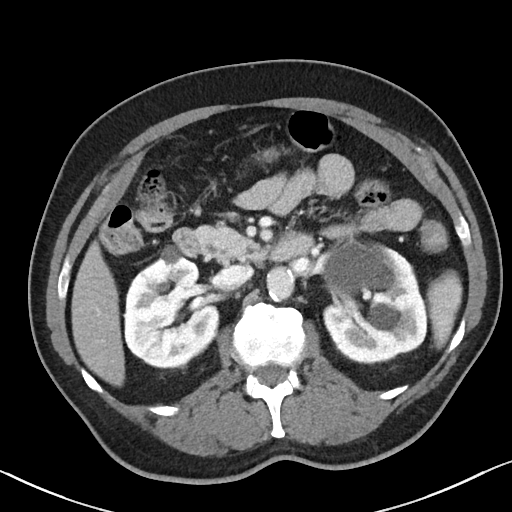
One axial slice (60 of 90, counting up from the lowest) of a contrast-enhanced abdominal CT acquired with 100 kVp, kernel I40f; each pixel is 0.684 mm and the slice is 5.00 mm thick.
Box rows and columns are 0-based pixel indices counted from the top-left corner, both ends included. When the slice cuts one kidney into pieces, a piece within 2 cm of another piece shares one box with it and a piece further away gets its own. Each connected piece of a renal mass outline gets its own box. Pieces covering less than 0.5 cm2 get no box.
Two boxes on this slice (two kidney boxes), listed by box centre from the image's left to its right. (1) Right kidney at rows 244–369, columns 123–219 (outlined area 8,569 px, about 40.0 cm2). (2) Box rows 236–363, columns 322–428: left kidney (outlined area 10,383 px, about 48.5 cm2). This slice carries no renal mass outline.